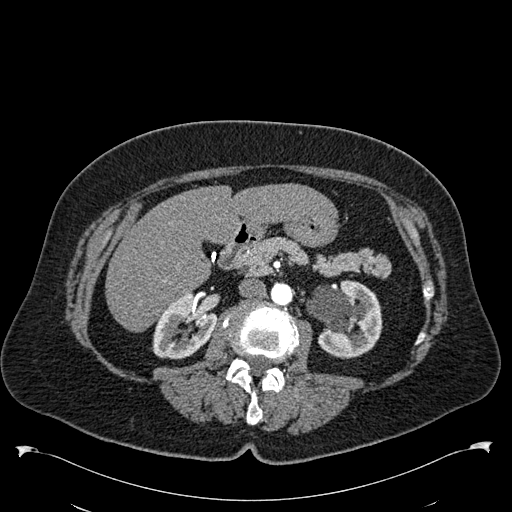
Axial slice 326 of 538 of a contrast-enhanced abdominal CT in the arterial phase (slice 1 is the lowest), 120 kVp, kernel B30f; 1.00 mm slice thickness and 0.811 mm pixels.
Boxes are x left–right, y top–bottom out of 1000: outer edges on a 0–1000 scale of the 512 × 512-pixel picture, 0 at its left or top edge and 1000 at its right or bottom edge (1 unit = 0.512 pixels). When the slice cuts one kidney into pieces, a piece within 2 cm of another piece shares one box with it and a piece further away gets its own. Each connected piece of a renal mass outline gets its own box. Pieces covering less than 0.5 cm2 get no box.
Two boxes on this slice (two kidney boxes), listed by box centre from the image's left to its right. (1) Right kidney, box x 297–426, y 564–703 out of 1000 (outlined area 3,038 px, about 20.0 cm2). (2) Box x 598–748, y 547–701 out of 1000: left kidney (outlined area 4,376 px, about 28.7 cm2). This slice carries no renal mass outline.